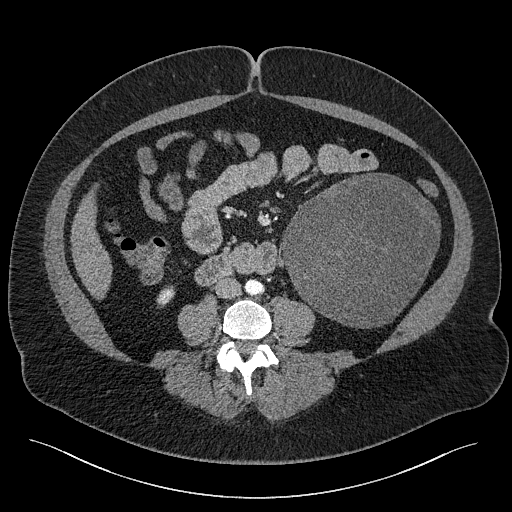
Contrast-enhanced abdominal CT, axial slice 81 of 301 (counted from the lowest slice); tube voltage 120 kVp, convolution kernel I40f; slices 2.00 mm thick, 0.859 mm per pixel.
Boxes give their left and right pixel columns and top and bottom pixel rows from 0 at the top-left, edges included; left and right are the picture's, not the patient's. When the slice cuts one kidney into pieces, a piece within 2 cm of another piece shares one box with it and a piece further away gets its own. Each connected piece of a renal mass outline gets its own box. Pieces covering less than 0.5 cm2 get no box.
Boxed on this slice (one kidney box and one renal mass box), listed by box centre from the image's left to its right: (1) Box with left 156, top 285, right 175, bottom 307: right kidney (outlined area 282 px, about 2.1 cm2). (2) Left renal mass, the box with left 281, top 173, right 440, bottom 328 (outlined area 18,341 px, about 135.5 cm2); it sits over 1 cm from every kidney outline on this slice, but the same outlined renal mass comes within 1 cm of the kidney on another slice.